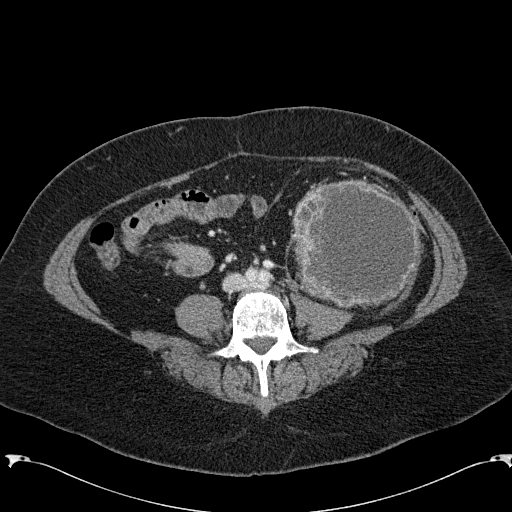
Arterial-phase contrast-enhanced abdominal CT, axial slice 48 of 285 (counted from the lowest slice); tube voltage 120 kVp, convolution kernel B31f; slices 2.00 mm thick, 0.762 mm per pixel.
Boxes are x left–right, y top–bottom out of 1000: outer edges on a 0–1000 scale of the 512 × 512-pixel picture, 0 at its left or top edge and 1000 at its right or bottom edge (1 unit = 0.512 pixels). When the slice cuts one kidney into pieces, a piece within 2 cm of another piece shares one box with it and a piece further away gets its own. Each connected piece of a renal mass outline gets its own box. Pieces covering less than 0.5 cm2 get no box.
Box x 568–824, y 350–604 out of 1000: left renal mass (outlined area 13,495 px, about 78.3 cm2); no kidney is outlined on this slice, but the same outlined renal mass comes within 1 cm of the kidney on another slice.